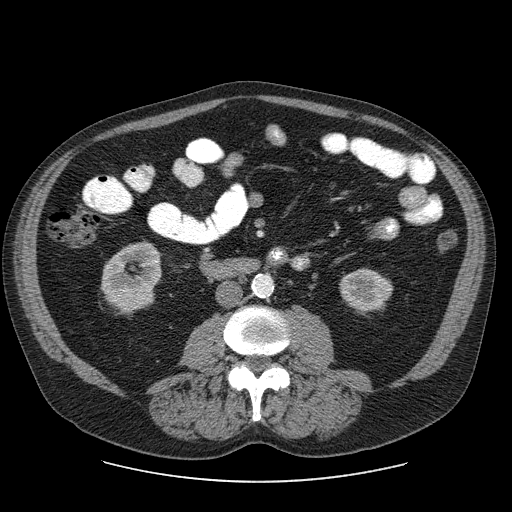
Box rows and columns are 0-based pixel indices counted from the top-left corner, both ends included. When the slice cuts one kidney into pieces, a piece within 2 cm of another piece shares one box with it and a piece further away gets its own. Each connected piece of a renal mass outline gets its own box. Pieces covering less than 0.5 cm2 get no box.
This is axial slice 21 of 103 (slice 1 is the lowest) of an abdominal CT with contrast; each pixel is 0.820 mm and the slice is 2.50 mm thick. Two boxes on this slice (two kidney boxes), listed by box centre from the image's left to its right. (1) Right kidney at rows 242–314, columns 100–161 (outlined area 3,316 px, about 22.3 cm2). (2) Left kidney, box rows 268–310, columns 339–392 (outlined area 1,756 px, about 11.8 cm2). No renal mass outline on this slice.
Acquired at 120 kVp and reconstructed with the STANDARD kernel.